Abdominal CT with intravenous contrast, axial plane, 100 kVp, kernel I30f. Slice 14/38 from the bottom of the scan; thickness 5.00 mm; pixel size 0.730 mm.
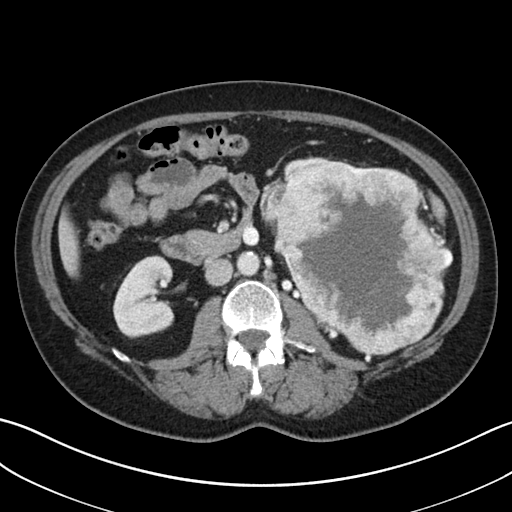
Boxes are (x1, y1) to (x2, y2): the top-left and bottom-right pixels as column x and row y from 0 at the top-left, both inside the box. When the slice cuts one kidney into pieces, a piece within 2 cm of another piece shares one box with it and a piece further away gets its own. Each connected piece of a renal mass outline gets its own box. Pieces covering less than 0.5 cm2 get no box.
Two kidney boxes and one renal mass box on this slice; by box centre, from the image's left to its right: (1) Right kidney from (113, 255) to (174, 338) (outlined area 3,825 px, about 20.4 cm2). (2) Box (284, 156) to (329, 177): left kidney (outlined area 346 px, about 1.8 cm2). (3) Left renal mass from (259, 160) to (453, 354) (outlined area 26,114 px, about 139.3 cm2).